One axial slice (275 of 581, counting up from the lowest) of an arterial-phase abdominal CT acquired with 120 kVp, kernel B30f; each pixel is 0.713 mm and the slice is 1.00 mm thick.
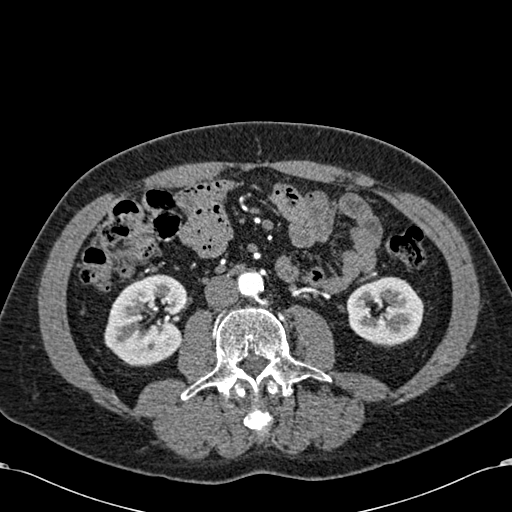
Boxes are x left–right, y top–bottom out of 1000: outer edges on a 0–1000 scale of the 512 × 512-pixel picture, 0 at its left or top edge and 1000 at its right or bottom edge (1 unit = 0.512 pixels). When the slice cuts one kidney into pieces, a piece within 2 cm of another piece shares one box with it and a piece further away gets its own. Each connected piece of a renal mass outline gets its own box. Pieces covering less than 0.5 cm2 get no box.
Two kidney boxes on this slice; by box centre, from the image's left to its right: (1) Box x 203–365, y 535–715 out of 1000: right kidney (outlined area 5,619 px, about 28.6 cm2). (2) Left kidney at x 676–828, y 539–680 out of 1000 (outlined area 4,159 px, about 21.1 cm2). This slice carries no renal mass outline.